Contrast-enhanced abdominal CT, axial slice 48 of 60 (counted from the lowest slice); tube voltage 120 kVp, convolution kernel I30f; slices 5.00 mm thick, 0.971 mm per pixel.
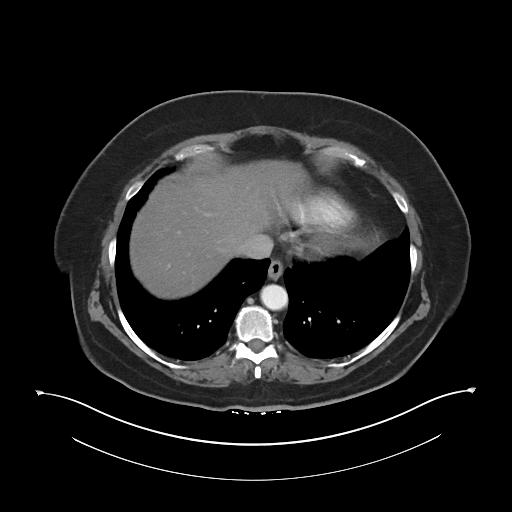
Neither a kidney nor a renal mass is outlined here. Only kidneys and renal masses are outlined anywhere in this scan; other structures are never outlined.